Abdominal CT with intravenous contrast, arterial phase, axial plane, 120 kVp, kernel I30f. Slice 459/735 from the bottom of the scan; thickness 1.00 mm; pixel size 0.789 mm.
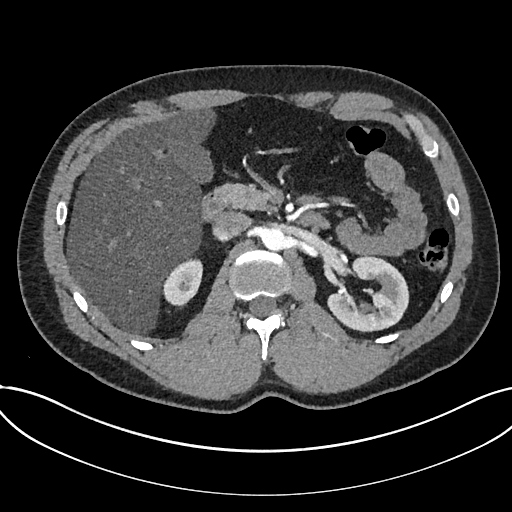
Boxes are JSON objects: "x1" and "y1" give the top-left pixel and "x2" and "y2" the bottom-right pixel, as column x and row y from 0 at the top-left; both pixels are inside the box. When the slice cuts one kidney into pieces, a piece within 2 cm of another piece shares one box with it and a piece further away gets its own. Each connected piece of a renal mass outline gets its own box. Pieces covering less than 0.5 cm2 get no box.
Two boxes on this slice (two kidney boxes), listed by box centre from the image's left to its right. (1) Kidney, box {"x1": 162, "y1": 259, "x2": 203, "y2": 307} (outlined area 1,391 px, about 8.7 cm2). (2) Box {"x1": 327, "y1": 256, "x2": 409, "y2": 332}: kidney (outlined area 4,158 px, about 25.9 cm2). This slice carries no renal mass outline.